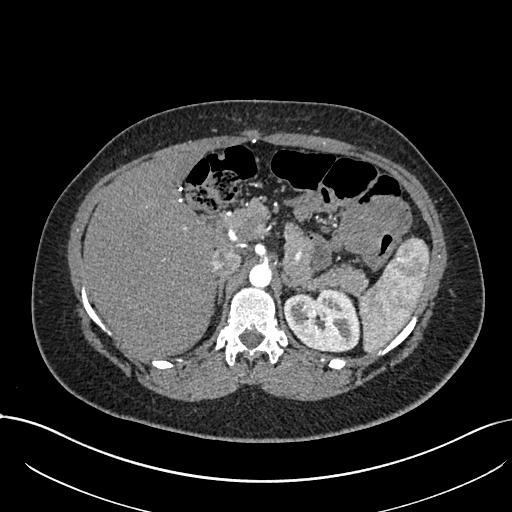
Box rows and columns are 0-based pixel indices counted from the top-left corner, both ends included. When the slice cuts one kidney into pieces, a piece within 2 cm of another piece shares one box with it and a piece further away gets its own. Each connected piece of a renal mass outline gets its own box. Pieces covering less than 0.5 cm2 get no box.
Slice 517/738 of a contrast-enhanced abdominal CT in the arterial phase, counting up from the lowest; pixel size 0.789 mm, slice thickness 1.00 mm. Left kidney, box rows 288–352, columns 283–360 (outlined area 3,803 px, about 23.7 cm2).
Acquired at 120 kVp and reconstructed with the I30f kernel.